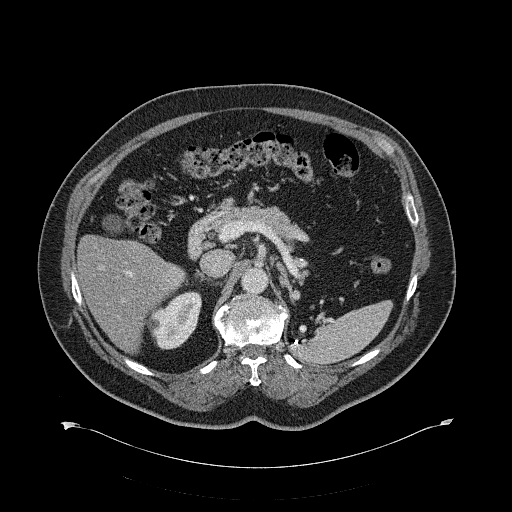
One axial slice (414 of 734, counting up from the lowest) of a contrast-enhanced abdominal CT acquired with 120 kVp, kernel B31f; each pixel is 0.971 mm and the slice is 2.00 mm thick.
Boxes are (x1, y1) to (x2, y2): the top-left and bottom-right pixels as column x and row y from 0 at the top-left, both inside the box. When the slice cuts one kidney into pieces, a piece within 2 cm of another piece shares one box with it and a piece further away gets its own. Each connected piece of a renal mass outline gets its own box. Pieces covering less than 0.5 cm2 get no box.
Right kidney, box (147, 291) to (201, 349) (outlined area 2,199 px, about 20.7 cm2). This slice carries no renal mass outline.